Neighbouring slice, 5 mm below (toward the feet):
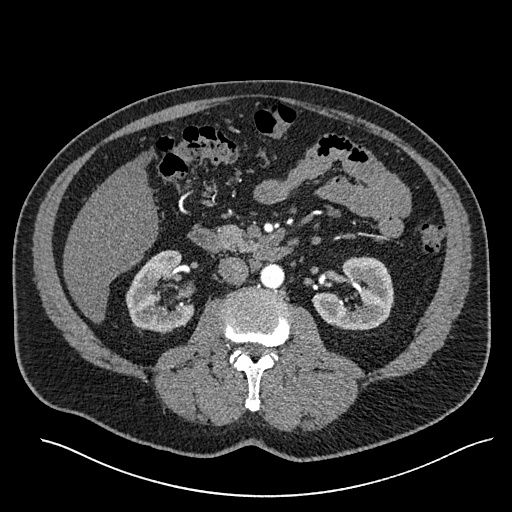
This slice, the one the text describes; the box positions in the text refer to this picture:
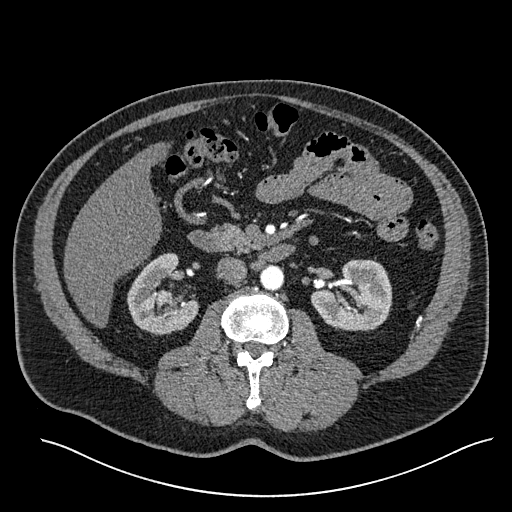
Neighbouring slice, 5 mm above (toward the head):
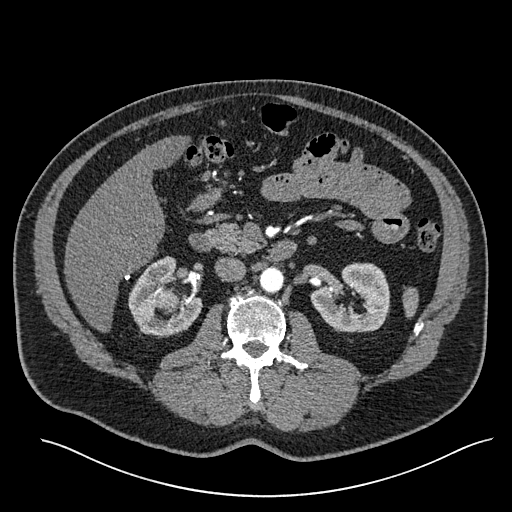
One axial slice (320 of 527, counting up from the lowest) of an arterial-phase abdominal CT acquired with 120 kVp, kernel I30f; each pixel is 0.859 mm and the slice is 1.00 mm thick.
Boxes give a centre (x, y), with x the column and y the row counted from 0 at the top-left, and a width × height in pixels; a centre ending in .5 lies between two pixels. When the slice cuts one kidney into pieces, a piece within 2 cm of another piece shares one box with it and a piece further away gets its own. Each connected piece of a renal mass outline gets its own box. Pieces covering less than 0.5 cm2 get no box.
Three boxes on this slice (two kidney boxes and one renal mass box), listed by box centre from the image's left to its right. (1) Right kidney in a box with centre (163, 293.5), 73 × 84 pixels (outlined area 3,663 px, about 27.1 cm2). (2) Right renal mass, box centre (164.5, 296.5), 16 × 16 pixels (outlined area 207 px, about 1.5 cm2). (3) Left kidney in a box with centre (351.5, 295), 82 × 73 pixels (outlined area 4,365 px, about 32.2 cm2). This slice is near the end of the right renal mass toward the feet, so the slices 5 mm below and 5 mm above it are shown as well; the boxes refer to this slice only.